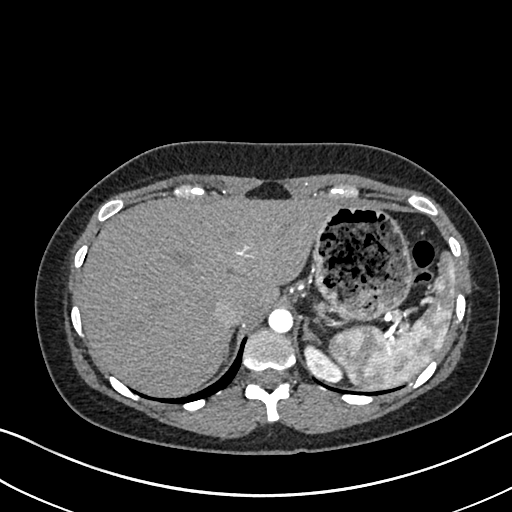
Axial slice 553 of 612 of a contrast-enhanced abdominal CT in the arterial phase (slice 1 is the lowest), 120 kVp, kernel I30f; 1.00 mm slice thickness and 0.703 mm pixels.
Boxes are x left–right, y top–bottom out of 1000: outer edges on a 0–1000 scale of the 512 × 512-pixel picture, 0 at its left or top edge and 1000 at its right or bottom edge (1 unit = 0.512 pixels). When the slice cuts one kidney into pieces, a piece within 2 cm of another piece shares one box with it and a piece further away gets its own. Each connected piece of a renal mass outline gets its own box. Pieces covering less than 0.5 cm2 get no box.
Left kidney, box x 594–672, y 672–746 out of 1000 (outlined area 893 px, about 4.4 cm2). No renal mass is outlined on this slice.